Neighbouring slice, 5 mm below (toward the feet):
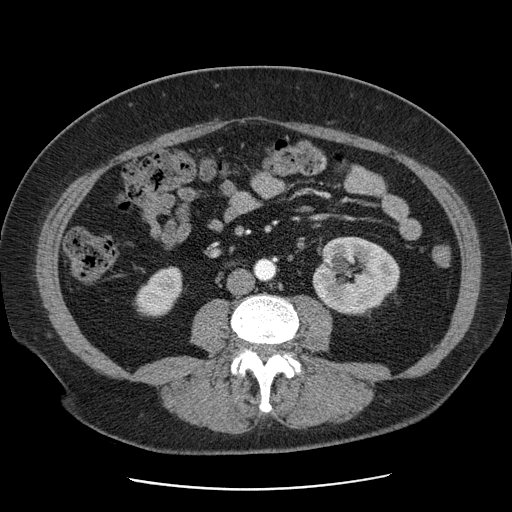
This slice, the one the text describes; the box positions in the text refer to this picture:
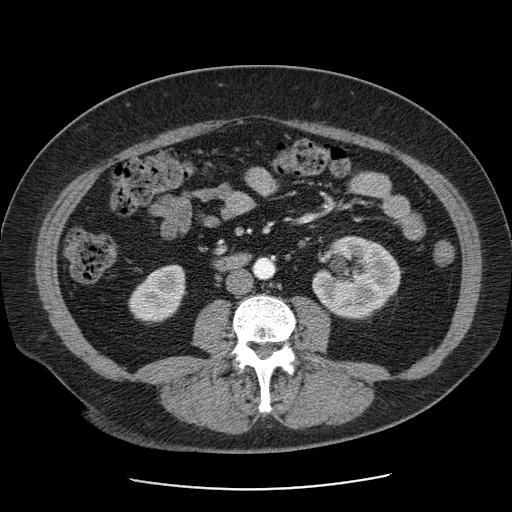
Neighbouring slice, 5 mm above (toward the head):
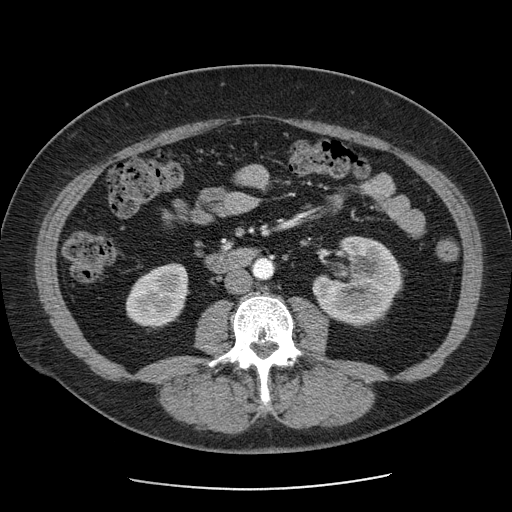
Contrast-enhanced abdominal CT, axial slice 26 of 103 (counted from the lowest slice); tube voltage 120 kVp, convolution kernel STANDARD; slices 2.50 mm thick, 0.736 mm per pixel.
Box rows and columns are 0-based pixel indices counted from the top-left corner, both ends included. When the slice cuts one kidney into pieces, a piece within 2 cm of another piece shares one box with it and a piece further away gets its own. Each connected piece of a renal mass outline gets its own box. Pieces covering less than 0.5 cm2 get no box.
Three boxes on this slice (two kidney boxes and one renal mass box), listed by box centre from the image's left to its right. (1) Right kidney at rows 264–324, columns 128–186 (outlined area 2,482 px, about 13.5 cm2). (2) Left renal mass at rows 289–304, columns 347–361 (outlined area 182 px, about 1.0 cm2). (3) Box rows 236–319, columns 312–400: left kidney (outlined area 5,318 px, about 28.8 cm2). This slice lies near the end of the left renal mass toward the feet; the slices 5 mm below and 5 mm above it are shown too, and the boxes mark positions on this slice only.